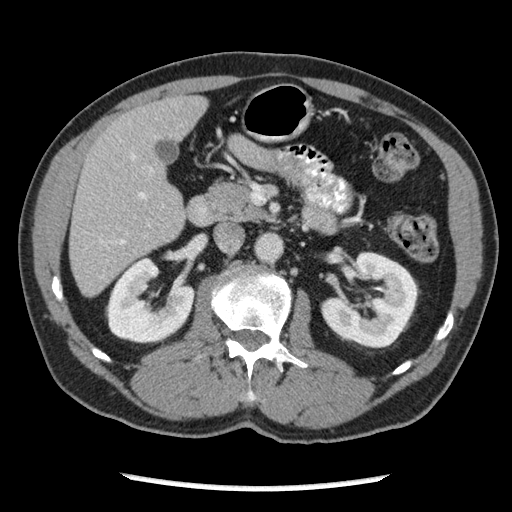
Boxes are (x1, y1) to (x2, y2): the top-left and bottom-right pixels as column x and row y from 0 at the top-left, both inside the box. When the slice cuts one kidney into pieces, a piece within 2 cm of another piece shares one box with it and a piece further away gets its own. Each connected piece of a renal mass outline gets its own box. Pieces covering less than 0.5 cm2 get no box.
Slice 124/262 of a contrast-enhanced abdominal CT in the arterial phase, counting up from the lowest; pixel size 0.703 mm, slice thickness 2.50 mm. Two boxes on this slice (two kidney boxes), listed by box centre from the image's left to its right. (1) Right kidney, box (106, 256) to (194, 344) (outlined area 5,221 px, about 25.8 cm2). (2) Left kidney, box (321, 252) to (417, 348) (outlined area 6,349 px, about 31.4 cm2). No renal mass is outlined on this slice.
Acquired at 120 kVp and reconstructed with the STANDARD kernel.